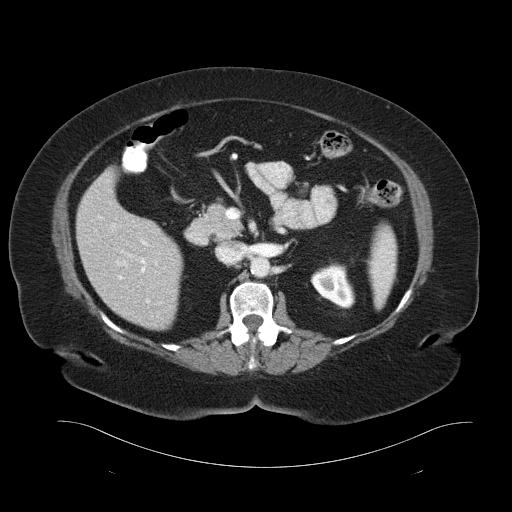
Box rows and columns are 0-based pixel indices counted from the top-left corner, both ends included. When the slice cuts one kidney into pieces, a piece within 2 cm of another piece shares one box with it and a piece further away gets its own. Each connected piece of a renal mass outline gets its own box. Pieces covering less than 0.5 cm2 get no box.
Slice 62/93 of a contrast-enhanced abdominal CT, counting up from the lowest; pixel size 0.938 mm, slice thickness 5.00 mm. Left kidney at rows 262–308, columns 310–355 (outlined area 1,422 px, about 12.5 cm2). No renal mass is outlined on this slice.
Acquired at 120 kVp and reconstructed with the B30f kernel.